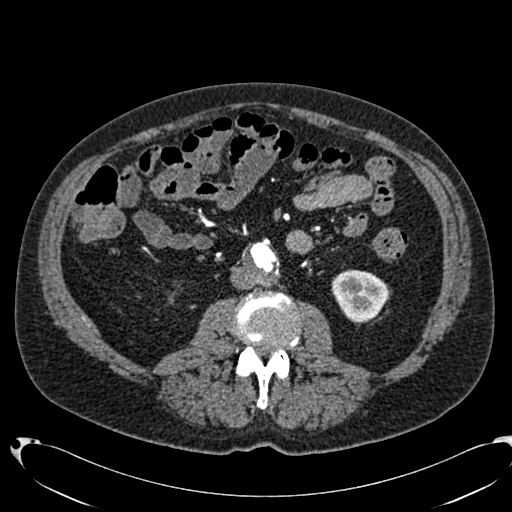
One axial slice (339 of 553, counting up from the lowest) of an arterial-phase abdominal CT acquired with 120 kVp, kernel B20f; each pixel is 0.773 mm and the slice is 1.00 mm thick.
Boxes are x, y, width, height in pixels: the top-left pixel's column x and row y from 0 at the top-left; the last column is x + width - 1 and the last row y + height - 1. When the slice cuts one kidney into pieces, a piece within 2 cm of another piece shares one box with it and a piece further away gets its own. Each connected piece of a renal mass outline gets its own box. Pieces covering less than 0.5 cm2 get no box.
Box x 331, y 269, width 57, height 54: left kidney (outlined area 2,267 px, about 13.6 cm2). This slice carries no renal mass outline.